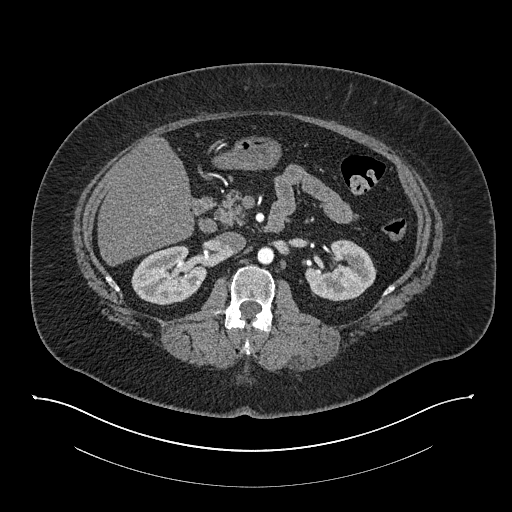
Abdominal CT with intravenous contrast, arterial phase, axial plane, 140 kVp, kernel I30f. Slice 474/673 from the bottom of the scan; thickness 1.00 mm; pixel size 0.957 mm.
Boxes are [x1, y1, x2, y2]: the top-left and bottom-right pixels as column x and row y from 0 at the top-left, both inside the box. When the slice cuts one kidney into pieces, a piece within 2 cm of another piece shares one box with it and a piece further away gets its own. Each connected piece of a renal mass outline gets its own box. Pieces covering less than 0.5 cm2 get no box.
Two kidney boxes on this slice; by box centre, from the image's left to its right: (1) Right kidney at [131, 245, 207, 305] (outlined area 3,307 px, about 30.3 cm2). (2) Left kidney at [305, 239, 376, 301] (outlined area 3,084 px, about 28.2 cm2). This slice carries no renal mass outline.